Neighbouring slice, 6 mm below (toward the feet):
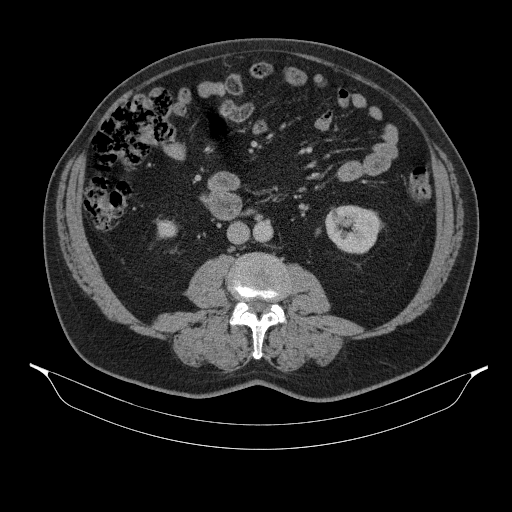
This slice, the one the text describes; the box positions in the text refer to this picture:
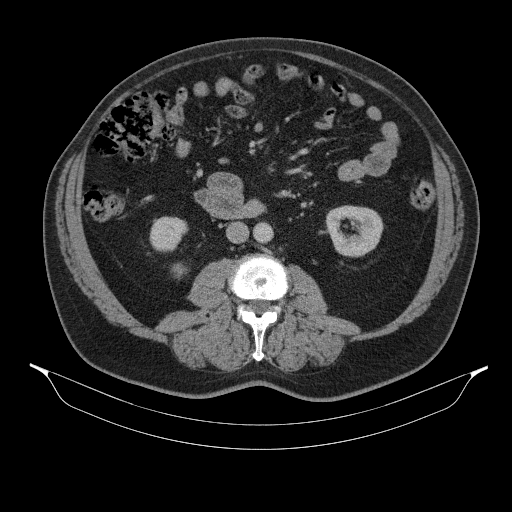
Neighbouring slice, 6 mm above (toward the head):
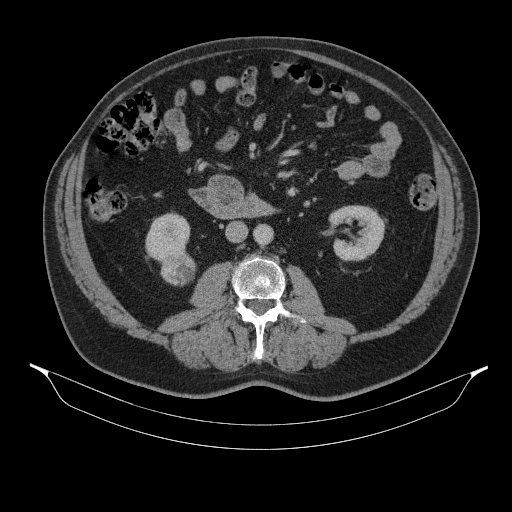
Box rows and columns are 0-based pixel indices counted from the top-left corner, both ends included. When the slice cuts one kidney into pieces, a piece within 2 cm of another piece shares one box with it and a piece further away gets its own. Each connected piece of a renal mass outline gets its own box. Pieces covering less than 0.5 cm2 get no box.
Slice 176/314 of a contrast-enhanced abdominal CT, counting up from the lowest; pixel size 0.934 mm, slice thickness 2.50 mm. Three boxes on this slice (two kidney boxes and one renal mass box), listed by box centre from the image's left to its right. (1) Right kidney at rows 216–252, columns 149–187 (outlined area 1,060 px, about 9.2 cm2). (2) Right renal mass at rows 262–277, columns 171–187 (outlined area 178 px, about 1.6 cm2); on this slice it lies more than 1 cm from any kidney outline, but the same outlined renal mass comes within 1 cm of the kidney on another slice. (3) Box rows 205–257, columns 326–383: left kidney (outlined area 2,281 px, about 19.9 cm2). This slice lies near the end of the right renal mass toward the feet; the slices 6 mm below and 6 mm above it are shown too, and the boxes mark positions on this slice only.
Tube voltage 130 kVp; convolution kernel B31s.